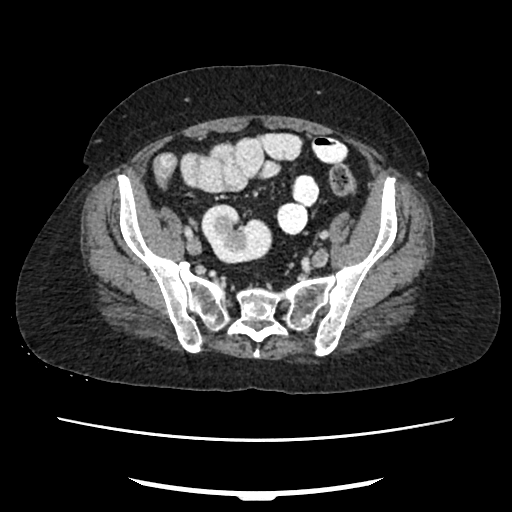
Arterial-phase contrast-enhanced abdominal CT, axial slice 67 of 207 (counted from the lowest slice); tube voltage 120 kVp, convolution kernel FC18; slices 2.00 mm thick, 0.741 mm per pixel.
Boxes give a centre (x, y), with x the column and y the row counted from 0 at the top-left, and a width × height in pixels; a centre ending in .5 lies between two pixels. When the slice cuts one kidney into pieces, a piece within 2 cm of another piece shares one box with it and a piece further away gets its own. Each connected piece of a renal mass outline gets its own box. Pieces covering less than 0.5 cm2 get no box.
Right kidney in a box with centre (236.5, 233.5), 72 × 60 pixels (outlined area 3,066 px, about 16.8 cm2). No renal mass is outlined on this slice.